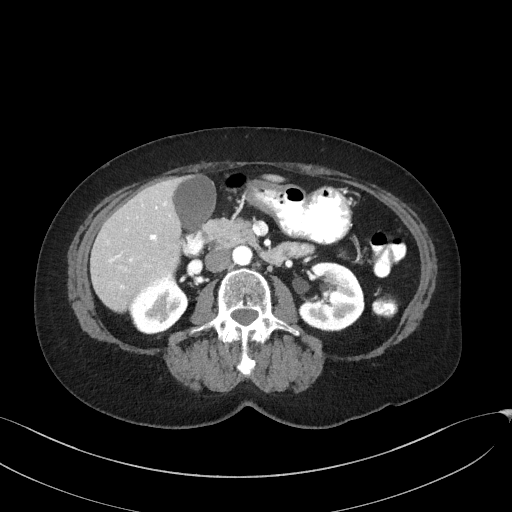
One axial slice (87 of 129, counting up from the lowest) of an arterial-phase abdominal CT acquired with 100 kVp, kernel I41f; each pixel is 0.779 mm and the slice is 3.00 mm thick.
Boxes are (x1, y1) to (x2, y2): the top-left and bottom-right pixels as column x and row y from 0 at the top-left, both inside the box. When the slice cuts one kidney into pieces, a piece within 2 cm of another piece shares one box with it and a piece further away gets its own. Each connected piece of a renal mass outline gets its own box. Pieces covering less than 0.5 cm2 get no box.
Two kidney boxes on this slice; by box centre, from the image's left to its right: (1) Right kidney from (129, 280) to (188, 333) (outlined area 2,313 px, about 14.0 cm2). (2) Left kidney, box (298, 262) to (364, 331) (outlined area 3,405 px, about 20.7 cm2). No renal mass outline on this slice.